Axial slice 352 of 1059 of a contrast-enhanced abdominal CT in the arterial phase (slice 1 is the lowest), 100 kVp, kernel I30f; 1.00 mm slice thickness and 0.811 mm pixels.
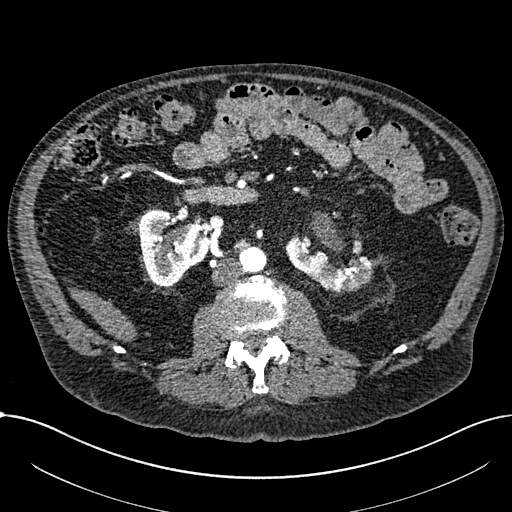
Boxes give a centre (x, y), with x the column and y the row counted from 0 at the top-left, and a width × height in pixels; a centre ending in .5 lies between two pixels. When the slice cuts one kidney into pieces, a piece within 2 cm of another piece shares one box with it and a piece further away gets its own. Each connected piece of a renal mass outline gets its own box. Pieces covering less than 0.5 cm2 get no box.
Two boxes on this slice (two kidney boxes), listed by box centre from the image's left to its right. (1) Right part of the midline-crossing kidney in a box with centre (173.5, 247.5), 72 × 78 pixels (outlined area 3,805 px, about 25.0 cm2). (2) Left part of the midline-crossing kidney, box centre (328.5, 264.5), 90 × 60 pixels (outlined area 3,021 px, about 19.8 cm2). This slice carries no renal mass outline.